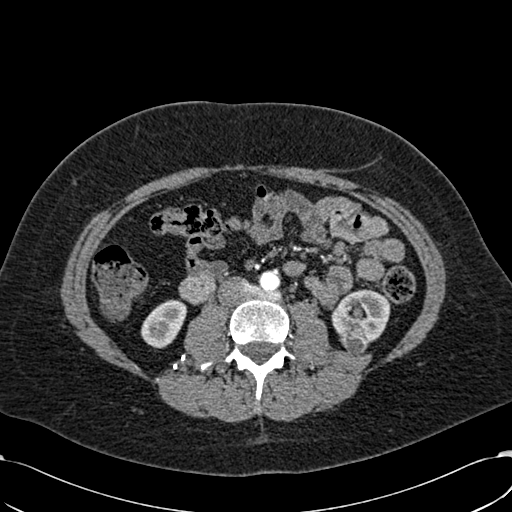
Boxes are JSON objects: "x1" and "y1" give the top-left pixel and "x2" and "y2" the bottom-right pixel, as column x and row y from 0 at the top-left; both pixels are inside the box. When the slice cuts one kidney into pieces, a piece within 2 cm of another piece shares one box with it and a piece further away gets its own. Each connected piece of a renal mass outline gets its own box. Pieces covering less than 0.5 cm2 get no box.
Slice 283/532 of a contrast-enhanced abdominal CT in the arterial phase, counting up from the lowest; pixel size 0.713 mm, slice thickness 1.00 mm. Three boxes on this slice (two kidney boxes and one renal mass box), listed by box centre from the image's left to its right. (1) Box {"x1": 140, "y1": 299, "x2": 187, "y2": 348}: right kidney (outlined area 1,579 px, about 8.0 cm2). (2) Left renal mass, box {"x1": 339, "y1": 329, "x2": 367, "y2": 354} (outlined area 540 px, about 2.7 cm2). (3) Left kidney at {"x1": 331, "y1": 289, "x2": 390, "y2": 345} (outlined area 2,233 px, about 11.3 cm2).
Acquired at 120 kVp and reconstructed with the B30f kernel.